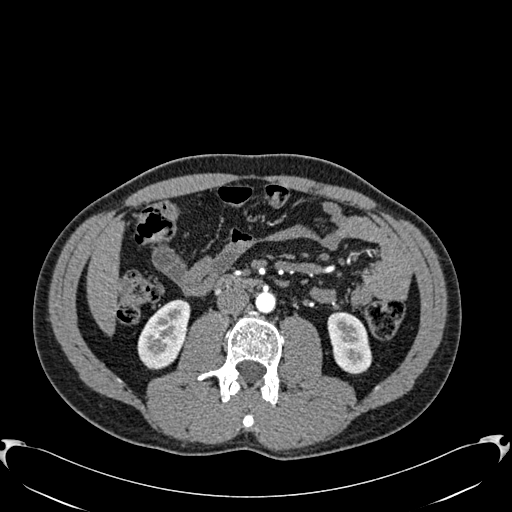
Abdominal CT with intravenous contrast, arterial phase, axial plane, 120 kVp, kernel B30f. Slice 294/512 from the bottom of the scan; thickness 1.00 mm; pixel size 0.771 mm.
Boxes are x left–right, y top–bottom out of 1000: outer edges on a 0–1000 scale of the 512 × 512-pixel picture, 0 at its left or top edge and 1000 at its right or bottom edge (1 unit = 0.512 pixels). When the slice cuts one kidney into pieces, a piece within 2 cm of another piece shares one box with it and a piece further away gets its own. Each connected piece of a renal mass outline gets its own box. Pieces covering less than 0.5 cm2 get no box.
Two boxes on this slice (two kidney boxes), listed by box centre from the image's left to its right. (1) Right kidney, box x 268–373, y 584–723 out of 1000 (outlined area 2,629 px, about 15.6 cm2). (2) Left kidney at x 639–729, y 607–732 out of 1000 (outlined area 2,137 px, about 12.7 cm2). No renal mass outline on this slice.